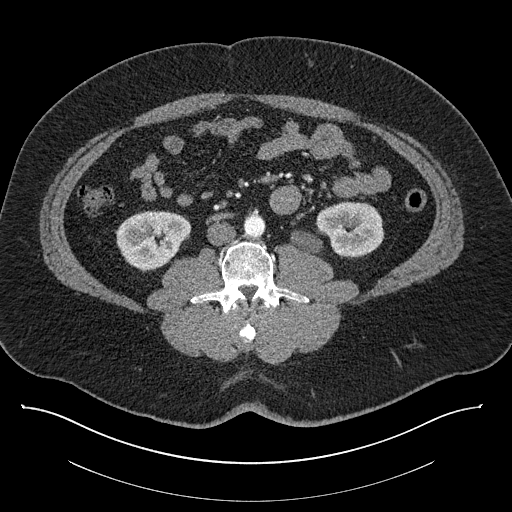
One axial slice (400 of 787, counting up from the lowest) of a contrast-enhanced abdominal CT acquired with 140 kVp, kernel I30f; each pixel is 0.910 mm and the slice is 1.00 mm thick.
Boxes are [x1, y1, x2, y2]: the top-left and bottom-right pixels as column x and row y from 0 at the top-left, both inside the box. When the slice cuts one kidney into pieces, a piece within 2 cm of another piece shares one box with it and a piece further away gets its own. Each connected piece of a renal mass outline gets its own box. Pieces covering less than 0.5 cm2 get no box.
Two kidney boxes on this slice; by box centre, from the image's left to its right: (1) Right kidney, box [115, 210, 191, 271] (outlined area 3,399 px, about 28.2 cm2). (2) Left kidney, box [290, 201, 384, 256] (outlined area 3,439 px, about 28.5 cm2). No renal mass is outlined on this slice.